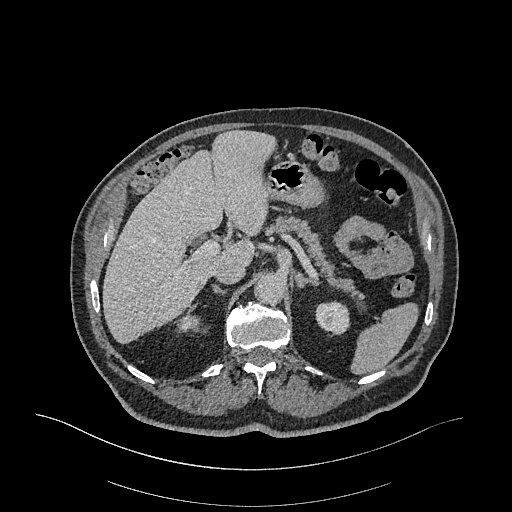
Abdominal CT with intravenous contrast, arterial phase, axial plane, 120 kVp, kernel I26f. Slice 248/470 from the bottom of the scan; thickness 1.00 mm; pixel size 0.938 mm.
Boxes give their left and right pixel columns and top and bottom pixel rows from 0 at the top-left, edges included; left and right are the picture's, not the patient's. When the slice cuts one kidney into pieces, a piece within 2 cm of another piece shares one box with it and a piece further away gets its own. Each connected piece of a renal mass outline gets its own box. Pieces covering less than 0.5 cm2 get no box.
Boxed on this slice (two kidney boxes), listed by box centre from the image's left to its right: (1) Box with left 179, top 318, right 195, bottom 329: right kidney (outlined area 163 px, about 1.4 cm2). (2) Left kidney, the box with left 315, top 301, right 350, bottom 336 (outlined area 967 px, about 8.5 cm2). No renal mass is outlined on this slice.